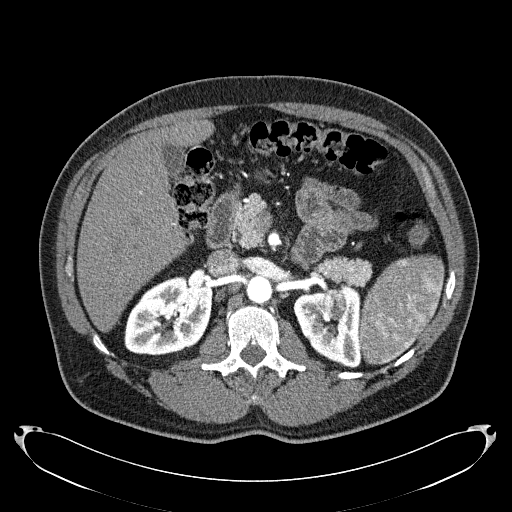
One axial slice (138 of 279, counting up from the lowest) of an arterial-phase abdominal CT acquired with 120 kVp, kernel B31f; each pixel is 0.824 mm and the slice is 2.00 mm thick.
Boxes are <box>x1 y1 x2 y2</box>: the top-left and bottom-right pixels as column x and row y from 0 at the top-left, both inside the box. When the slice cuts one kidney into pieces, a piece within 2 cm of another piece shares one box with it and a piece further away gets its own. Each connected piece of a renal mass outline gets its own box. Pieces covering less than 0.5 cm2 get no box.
Boxed on this slice (two kidney boxes and one renal mass box), listed by box centre from the image's left to its right: (1) Right kidney: <box>124 275 212 355</box> (outlined area 5,381 px, about 36.6 cm2). (2) At <box>293 283 361 367</box>: left kidney (outlined area 3,500 px, about 23.8 cm2). (3) At <box>320 288 346 320</box>: left renal mass (outlined area 673 px, about 4.6 cm2).